Contrast-enhanced abdominal CT, axial slice 37 of 94 (counted from the lowest slice); tube voltage 120 kVp, convolution kernel B41f; slices 3.00 mm thick, 0.977 mm per pixel.
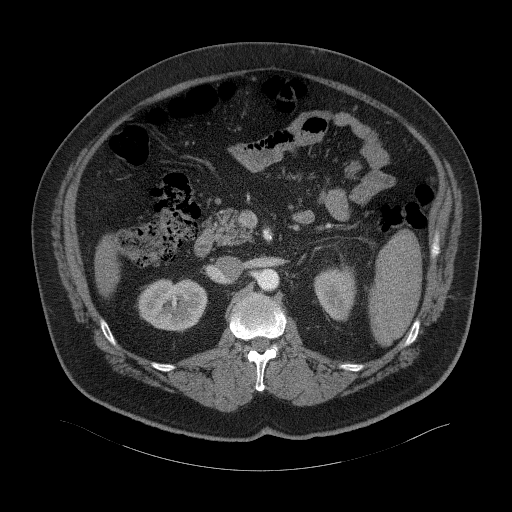
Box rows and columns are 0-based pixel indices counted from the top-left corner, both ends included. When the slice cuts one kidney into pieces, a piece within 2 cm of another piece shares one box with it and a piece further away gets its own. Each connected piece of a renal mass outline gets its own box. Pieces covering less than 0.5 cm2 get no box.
Boxed on this slice (two kidney boxes), listed by box centre from the image's left to its right: (1) Right kidney, box rows 278–332, columns 137–207 (outlined area 2,997 px, about 28.6 cm2). (2) Left kidney, box rows 263–320, columns 313–356 (outlined area 1,825 px, about 17.4 cm2). No renal mass is outlined on this slice.